One axial slice (355 of 673, counting up from the lowest) of an arterial-phase abdominal CT acquired with 140 kVp, kernel I30f; each pixel is 0.957 mm and the slice is 1.00 mm thick.
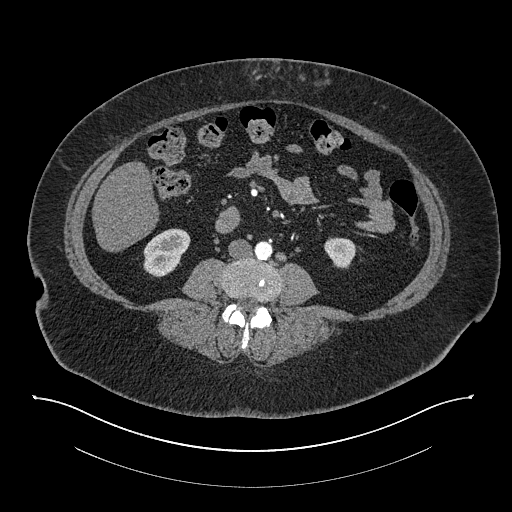
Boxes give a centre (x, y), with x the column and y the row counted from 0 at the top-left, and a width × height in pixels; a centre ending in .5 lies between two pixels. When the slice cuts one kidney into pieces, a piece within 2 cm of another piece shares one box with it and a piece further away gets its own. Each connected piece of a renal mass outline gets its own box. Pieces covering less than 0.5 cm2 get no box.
Boxed on this slice (two kidney boxes), listed by box centre from the image's left to its right: (1) Box centre (166.5, 252.5), 48 × 50 pixels: right kidney (outlined area 1,659 px, about 15.2 cm2). (2) Left kidney, box centre (340, 252.5), 33 × 32 pixels (outlined area 768 px, about 7.0 cm2). No renal mass is outlined on this slice.